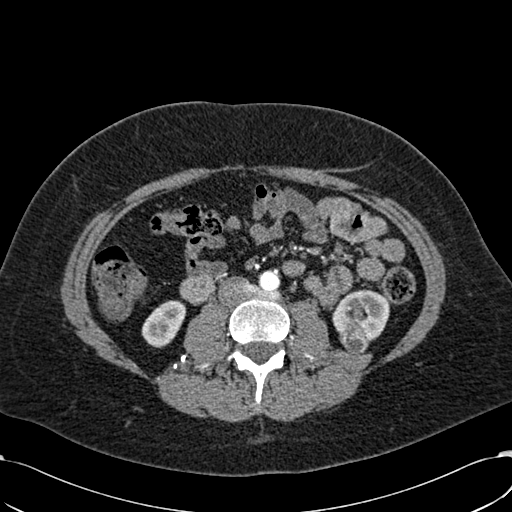
Abdominal CT with intravenous contrast, arterial phase, axial plane, 120 kVp, kernel B30f. Slice 281/532 from the bottom of the scan; thickness 1.00 mm; pixel size 0.713 mm.
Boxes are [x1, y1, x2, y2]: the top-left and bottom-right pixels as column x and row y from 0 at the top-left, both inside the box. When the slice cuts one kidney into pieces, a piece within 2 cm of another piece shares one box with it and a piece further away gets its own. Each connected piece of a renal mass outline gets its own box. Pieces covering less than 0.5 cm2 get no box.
Boxed on this slice (two kidney boxes and one renal mass box), listed by box centre from the image's left to its right: (1) Right kidney at [141, 300, 186, 347] (outlined area 1,474 px, about 7.5 cm2). (2) Left renal mass, box [339, 327, 369, 354] (outlined area 604 px, about 3.1 cm2). (3) Left kidney at [332, 289, 390, 341] (outlined area 2,109 px, about 10.7 cm2).